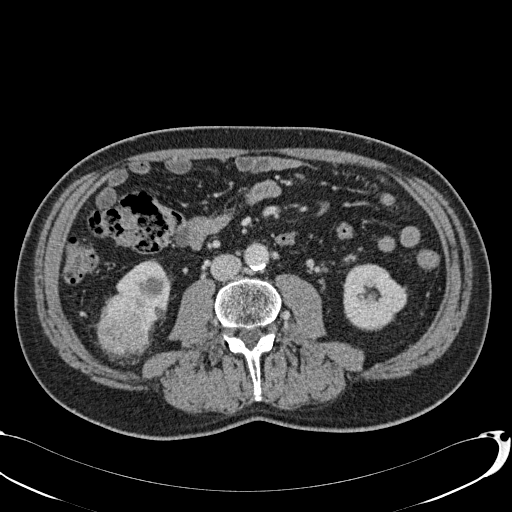
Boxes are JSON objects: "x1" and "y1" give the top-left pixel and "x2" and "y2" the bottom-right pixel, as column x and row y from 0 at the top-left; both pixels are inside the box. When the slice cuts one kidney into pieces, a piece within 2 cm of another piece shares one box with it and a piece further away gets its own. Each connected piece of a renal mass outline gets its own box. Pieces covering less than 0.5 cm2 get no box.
Contrast-enhanced abdominal CT, axial slice 20 of 113 (counted from the lowest slice); 2.00 mm thick, 0.742 mm per pixel. Boxed on this slice (two kidney boxes and one renal mass box), listed by box centre from the image's left to its right: (1) Right renal mass, box {"x1": 94, "y1": 298, "x2": 153, "y2": 358} (outlined area 2,713 px, about 14.9 cm2). (2) Right kidney, box {"x1": 105, "y1": 259, "x2": 172, "y2": 322} (outlined area 2,191 px, about 12.1 cm2). (3) Left kidney at {"x1": 343, "y1": 263, "x2": 407, "y2": 330} (outlined area 3,303 px, about 18.2 cm2).
Acquired at 120 kVp and reconstructed with the B31f kernel.